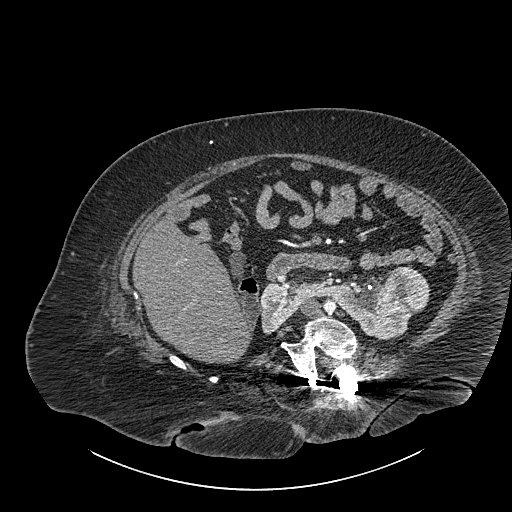
Abdominal CT with intravenous contrast, axial plane, 140 kVp, kernel I30f. Slice 517/834 from the bottom of the scan; thickness 1.00 mm; pixel size 0.977 mm.
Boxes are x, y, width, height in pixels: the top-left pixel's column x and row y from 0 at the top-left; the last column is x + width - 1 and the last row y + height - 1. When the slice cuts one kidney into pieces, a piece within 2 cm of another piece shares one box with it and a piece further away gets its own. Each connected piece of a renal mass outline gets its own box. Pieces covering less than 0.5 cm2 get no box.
One kidney box and one renal mass box on this slice; by box centre, from the image's left to its right: (1) Kidney crossing the body midline, box x 260, y 278, width 156, height 62 (outlined area 4,749 px, about 45.3 cm2). (2) Renal mass at x 383, y 266, width 47, height 48 (outlined area 1,810 px, about 17.3 cm2).